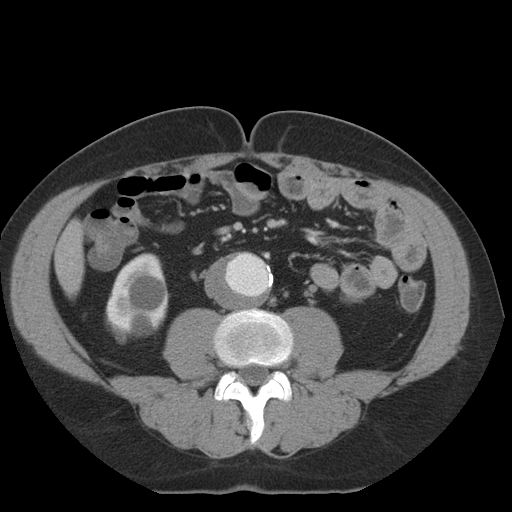
Arterial-phase contrast-enhanced abdominal CT, axial slice 3 of 36 (counted from the lowest slice); tube voltage 140 kVp, convolution kernel STANDARD; slices 5.00 mm thick, 0.703 mm per pixel.
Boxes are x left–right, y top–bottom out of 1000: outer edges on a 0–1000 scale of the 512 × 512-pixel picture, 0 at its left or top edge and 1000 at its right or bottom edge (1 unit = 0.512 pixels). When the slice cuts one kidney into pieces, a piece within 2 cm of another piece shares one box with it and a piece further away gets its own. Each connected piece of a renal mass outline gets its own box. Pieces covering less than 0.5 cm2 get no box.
Right kidney, box x 205–332, y 494–672 out of 1000 (outlined area 4,235 px, about 20.9 cm2). This slice carries no renal mass outline.